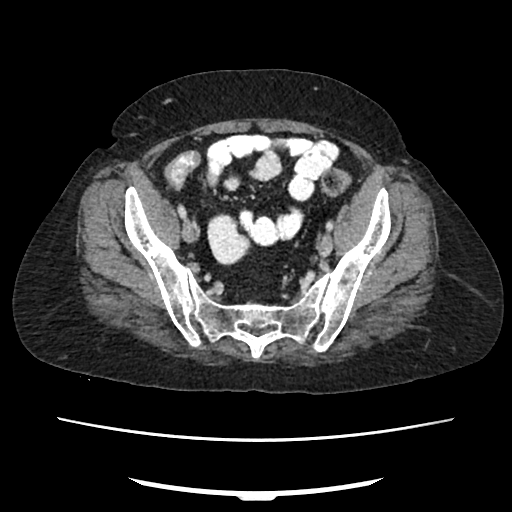
Axial slice 61 of 207 of a contrast-enhanced abdominal CT in the arterial phase (slice 1 is the lowest), 120 kVp, kernel FC18; 2.00 mm slice thickness and 0.741 mm pixels.
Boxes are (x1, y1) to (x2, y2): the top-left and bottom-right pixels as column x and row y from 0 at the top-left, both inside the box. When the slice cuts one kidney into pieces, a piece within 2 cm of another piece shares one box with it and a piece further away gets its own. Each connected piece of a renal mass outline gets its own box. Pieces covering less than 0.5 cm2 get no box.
Right kidney from (207, 214) to (248, 264) (outlined area 1,574 px, about 8.6 cm2). No renal mass outline on this slice.